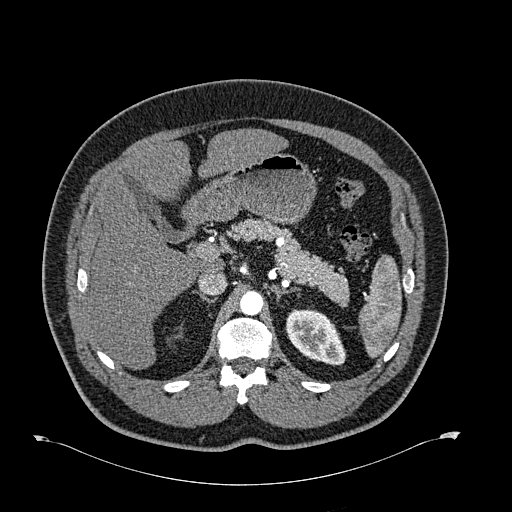
Arterial-phase contrast-enhanced abdominal CT, axial slice 461 of 723 (counted from the lowest slice); tube voltage 120 kVp, convolution kernel B30f; slices 1.00 mm thick, 0.895 mm per pixel.
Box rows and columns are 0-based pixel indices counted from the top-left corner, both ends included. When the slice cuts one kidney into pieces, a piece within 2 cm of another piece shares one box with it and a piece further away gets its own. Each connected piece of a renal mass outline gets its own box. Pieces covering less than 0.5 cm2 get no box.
Left kidney at rows 308–365, columns 285–346 (outlined area 2,437 px, about 19.5 cm2). This slice carries no renal mass outline.